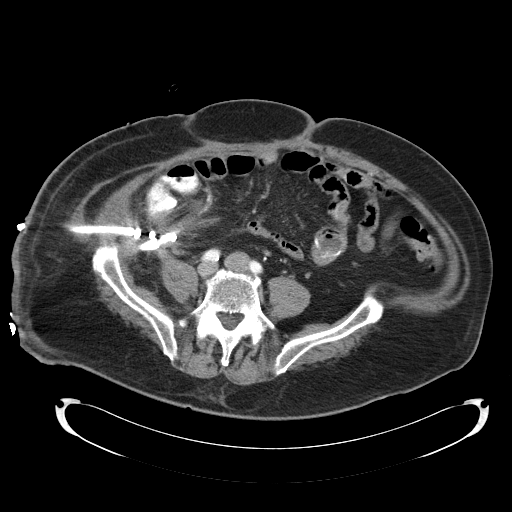
This is axial slice 40 of 92 (slice 1 is the lowest) of an abdominal CT with contrast; each pixel is 0.918 mm and the slice is 5.00 mm thick. This slice carries no outline: it lies beyond the outlined kidneys and beyond every outlined renal mass. Other organs are not outlined in this scan.
Acquired at 120 kVp and reconstructed with the B30f kernel.